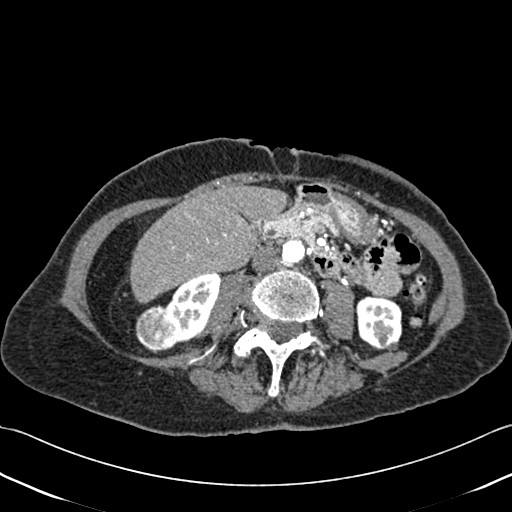
Axial slice 184 of 433 of a contrast-enhanced abdominal CT (slice 1 is the lowest), 120 kVp, kernel B30f; 1.00 mm slice thickness and 0.672 mm pixels.
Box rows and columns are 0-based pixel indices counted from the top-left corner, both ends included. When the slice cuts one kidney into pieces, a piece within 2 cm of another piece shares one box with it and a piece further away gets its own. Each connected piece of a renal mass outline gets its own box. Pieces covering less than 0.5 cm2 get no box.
Two kidney boxes and one renal mass box on this slice; by box centre, from the image's left to its right: (1) Right renal mass at rows 305–353, columns 135–179 (outlined area 1,617 px, about 7.3 cm2). (2) Box rows 273–343, columns 165–220: right kidney (outlined area 2,354 px, about 10.6 cm2). (3) Left kidney at rows 296–349, columns 355–402 (outlined area 2,113 px, about 9.5 cm2).